Arterial-phase contrast-enhanced abdominal CT, axial slice 115 of 233 (counted from the lowest slice); tube voltage 120 kVp, convolution kernel STANDARD; slices 1.25 mm thick, 0.703 mm per pixel.
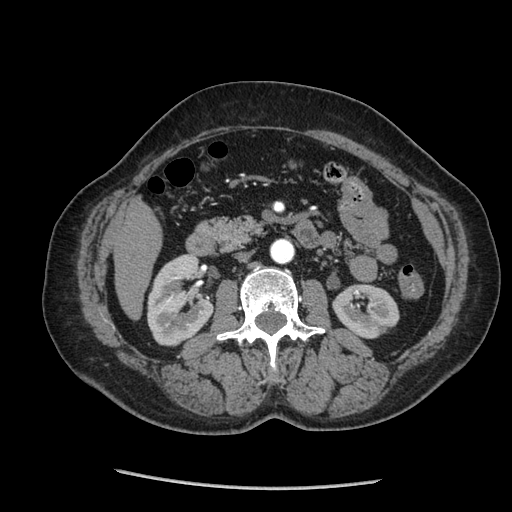
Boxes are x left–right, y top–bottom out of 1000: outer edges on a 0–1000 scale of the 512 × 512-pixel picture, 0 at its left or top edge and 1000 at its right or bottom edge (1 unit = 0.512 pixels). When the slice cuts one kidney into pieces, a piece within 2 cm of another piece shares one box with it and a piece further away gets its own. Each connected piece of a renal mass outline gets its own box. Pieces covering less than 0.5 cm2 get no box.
Boxed on this slice (two kidney boxes), listed by box centre from the image's left to its right: (1) Right kidney, box x 287–422, y 494–678 out of 1000 (outlined area 4,520 px, about 22.3 cm2). (2) Box x 648–781, y 553–662 out of 1000: left kidney (outlined area 2,725 px, about 13.5 cm2). No renal mass outline on this slice.